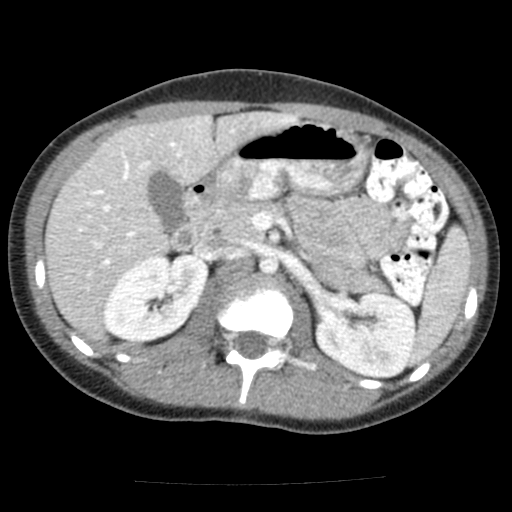
One axial slice (86 of 117, counting up from the lowest) of an arterial-phase abdominal CT acquired with 120 kVp, kernel FC12; each pixel is 0.518 mm and the slice is 3.00 mm thick.
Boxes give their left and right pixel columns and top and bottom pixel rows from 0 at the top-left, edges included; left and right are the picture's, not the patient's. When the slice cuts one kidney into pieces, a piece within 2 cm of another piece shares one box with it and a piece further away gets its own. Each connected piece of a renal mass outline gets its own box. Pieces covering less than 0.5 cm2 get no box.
Boxed on this slice (two kidney boxes), listed by box centre from the image's left to its right: (1) Box with left 103, top 252, right 209, bottom 340: right kidney (outlined area 6,864 px, about 18.4 cm2). (2) Box with left 314, top 292, right 415, bottom 377: left kidney (outlined area 6,574 px, about 17.6 cm2). No renal mass is outlined on this slice.